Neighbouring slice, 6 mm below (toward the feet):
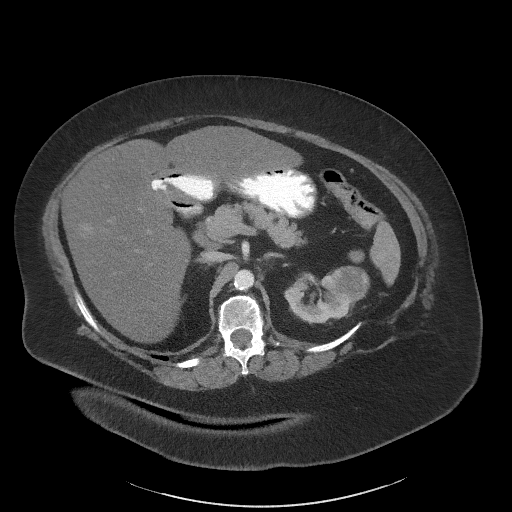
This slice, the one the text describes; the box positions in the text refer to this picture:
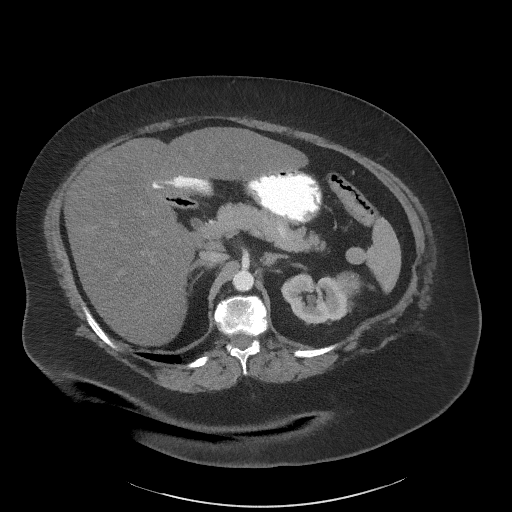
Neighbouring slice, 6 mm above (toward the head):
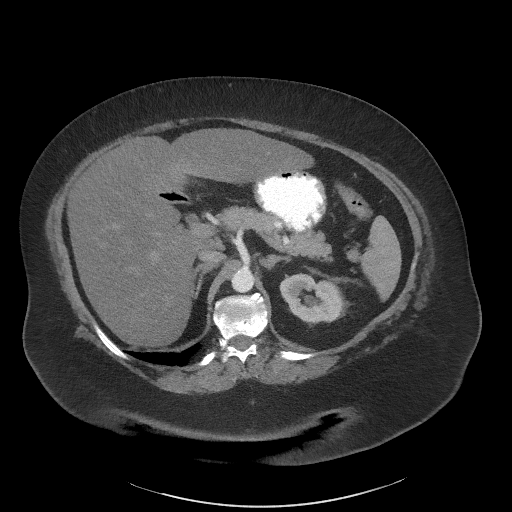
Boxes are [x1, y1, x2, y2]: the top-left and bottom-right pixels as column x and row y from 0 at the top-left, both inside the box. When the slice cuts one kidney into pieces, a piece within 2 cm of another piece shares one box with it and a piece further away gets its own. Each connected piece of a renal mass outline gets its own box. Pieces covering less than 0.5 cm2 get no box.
Slice 46/61 of a contrast-enhanced abdominal CT in the arterial phase, counting up from the lowest; pixel size 0.947 mm, slice thickness 3.00 mm. Two boxes on this slice (one kidney box and one renal mass box), listed by box centre from the image's left to its right. (1) Left kidney, box [280, 272, 354, 325] (outlined area 2,755 px, about 24.7 cm2). (2) Left renal mass, box [342, 273, 356, 292] (outlined area 212 px, about 1.9 cm2). This slice lies near the end of the left renal mass toward the head; the slices 6 mm below and 6 mm above it are shown too, and the boxes mark positions on this slice only.
Tube voltage 140 kVp; convolution kernel I41f.